Arterial-phase contrast-enhanced abdominal CT, axial slice 344 of 723 (counted from the lowest slice); tube voltage 120 kVp, convolution kernel B30f; slices 1.00 mm thick, 0.895 mm per pixel.
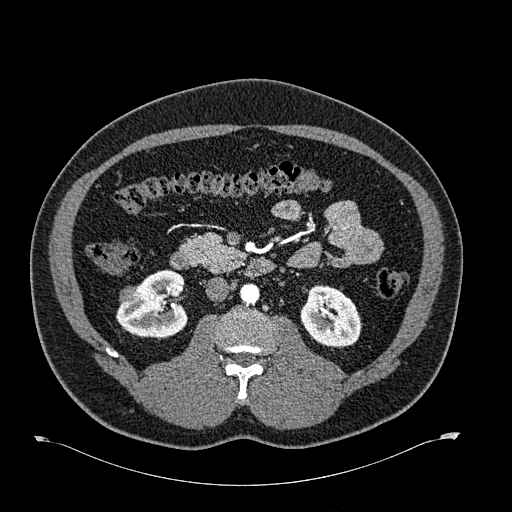
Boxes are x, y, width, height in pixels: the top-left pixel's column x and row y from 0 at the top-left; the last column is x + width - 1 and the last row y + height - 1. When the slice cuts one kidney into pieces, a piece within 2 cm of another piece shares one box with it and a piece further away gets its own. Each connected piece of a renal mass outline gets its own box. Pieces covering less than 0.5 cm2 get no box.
Two kidney boxes and one renal mass box on this slice; by box centre, from the image's left to its right: (1) Right renal mass, box x 119, y 286, width 20, height 18 (outlined area 289 px, about 2.3 cm2). (2) Right kidney at x 116, y 269, width 73, height 71 (outlined area 3,517 px, about 28.1 cm2). (3) Left kidney, box x 300, y 285, width 61, height 64 (outlined area 2,912 px, about 23.3 cm2).